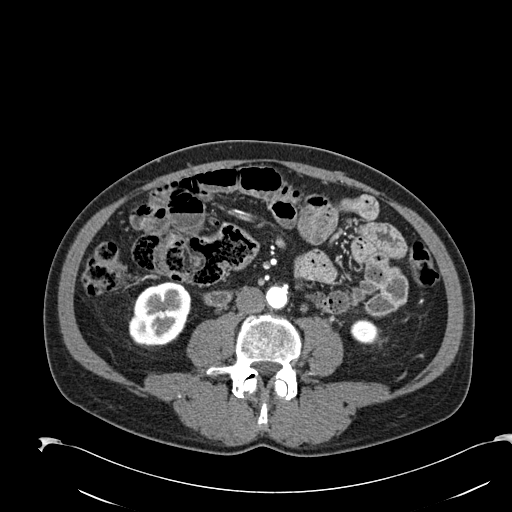
One axial slice (61 of 274, counting up from the lowest) of an arterial-phase abdominal CT acquired with 120 kVp, kernel B30f; each pixel is 0.809 mm and the slice is 2.00 mm thick.
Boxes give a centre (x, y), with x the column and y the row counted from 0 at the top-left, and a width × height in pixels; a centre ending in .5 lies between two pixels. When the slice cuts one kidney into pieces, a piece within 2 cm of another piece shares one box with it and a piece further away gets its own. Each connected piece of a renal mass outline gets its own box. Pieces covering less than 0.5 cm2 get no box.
Two boxes on this slice (two kidney boxes), listed by box centre from the image's left to its right. (1) Box centre (159.5, 314), 64 × 67 pixels: right kidney (outlined area 3,201 px, about 20.9 cm2). (2) Left kidney in a box with centre (364, 331), 29 × 27 pixels (outlined area 566 px, about 3.7 cm2). This slice carries no renal mass outline.